Abdominal CT with intravenous contrast, arterial phase, axial plane, 120 kVp, kernel I30f. Slice 386/735 from the bottom of the scan; thickness 1.00 mm; pixel size 0.789 mm.
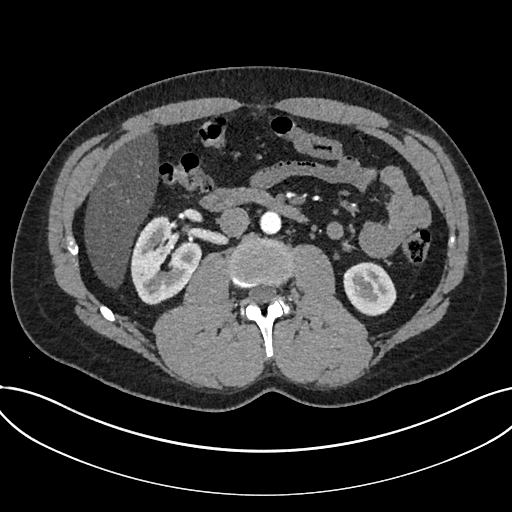
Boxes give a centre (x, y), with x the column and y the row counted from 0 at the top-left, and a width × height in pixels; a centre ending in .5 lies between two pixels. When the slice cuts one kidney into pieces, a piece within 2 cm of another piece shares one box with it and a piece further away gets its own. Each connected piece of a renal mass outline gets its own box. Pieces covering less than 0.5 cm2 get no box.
Two kidney boxes on this slice; by box centre, from the image's left to its right: (1) Box centre (165.5, 259.5), 72 × 90 pixels: kidney (outlined area 4,359 px, about 27.1 cm2). (2) Kidney, box centre (369.5, 288.5), 54 × 54 pixels (outlined area 2,223 px, about 13.8 cm2). No renal mass is outlined on this slice.